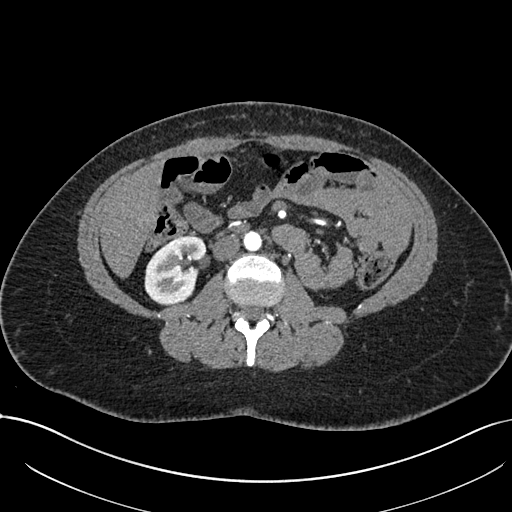
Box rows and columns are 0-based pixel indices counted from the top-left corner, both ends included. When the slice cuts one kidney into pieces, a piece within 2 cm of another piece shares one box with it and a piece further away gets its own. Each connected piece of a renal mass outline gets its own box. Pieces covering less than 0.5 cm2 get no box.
This is axial slice 369 of 738 (slice 1 is the lowest) of an arterial-phase abdominal CT with contrast; each pixel is 0.789 mm and the slice is 1.00 mm thick. Box rows 235–305, columns 144–206: right kidney (outlined area 3,208 px, about 20.0 cm2). No renal mass is outlined on this slice.
Acquired at 120 kVp and reconstructed with the I30f kernel.